One axial slice (211 of 325, counting up from the lowest) of an arterial-phase abdominal CT acquired with 100 kVp, kernel I30f; each pixel is 0.703 mm and the slice is 1.00 mm thick.
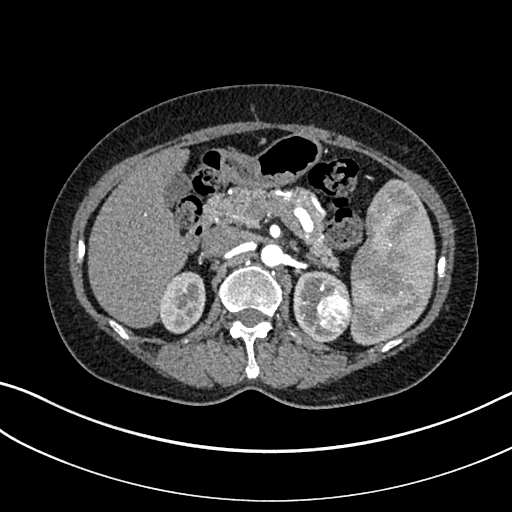
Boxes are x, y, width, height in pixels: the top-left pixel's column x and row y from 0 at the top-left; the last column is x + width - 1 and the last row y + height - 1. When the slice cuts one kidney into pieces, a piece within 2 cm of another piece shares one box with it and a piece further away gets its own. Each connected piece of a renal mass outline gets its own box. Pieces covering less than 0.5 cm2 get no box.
Two kidney boxes and one renal mass box on this slice; by box centre, from the image's left to its right: (1) Right kidney at x 158, y 271, width 48, height 63 (outlined area 2,281 px, about 11.3 cm2). (2) Box x 293, y 270, width 60, height 73: left kidney (outlined area 2,267 px, about 11.2 cm2). (3) Left renal mass, box x 316, y 293, width 36, height 40 (outlined area 1,136 px, about 5.6 cm2).